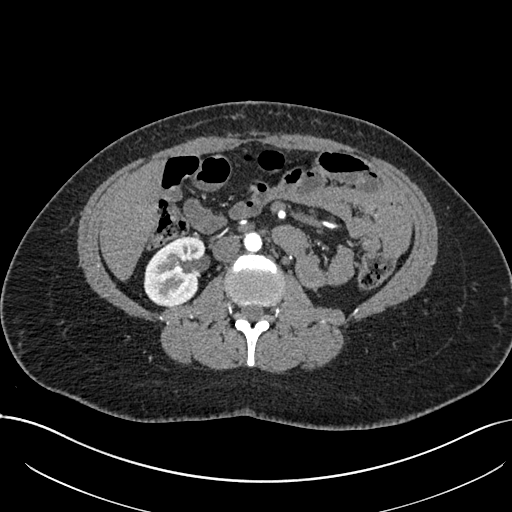
Axial slice 374 of 738 of a contrast-enhanced abdominal CT in the arterial phase (slice 1 is the lowest), 120 kVp, kernel I30f; 1.00 mm slice thickness and 0.789 mm pixels.
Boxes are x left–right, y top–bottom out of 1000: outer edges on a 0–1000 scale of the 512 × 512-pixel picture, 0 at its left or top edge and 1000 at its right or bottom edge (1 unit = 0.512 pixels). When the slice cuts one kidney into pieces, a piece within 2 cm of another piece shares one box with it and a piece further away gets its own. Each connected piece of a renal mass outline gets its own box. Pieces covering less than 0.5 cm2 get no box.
Right kidney at x 279–402, y 461–600 out of 1000 (outlined area 3,312 px, about 20.6 cm2). This slice carries no renal mass outline.